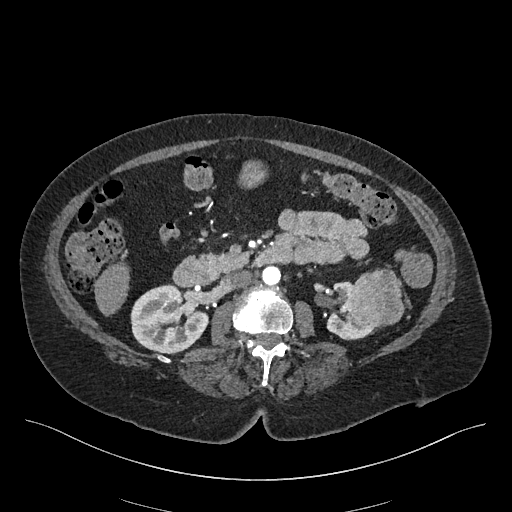
Abdominal CT with intravenous contrast, arterial phase, axial plane, 120 kVp, kernel I26f. Slice 242/548 from the bottom of the scan; thickness 1.00 mm; pixel size 0.852 mm.
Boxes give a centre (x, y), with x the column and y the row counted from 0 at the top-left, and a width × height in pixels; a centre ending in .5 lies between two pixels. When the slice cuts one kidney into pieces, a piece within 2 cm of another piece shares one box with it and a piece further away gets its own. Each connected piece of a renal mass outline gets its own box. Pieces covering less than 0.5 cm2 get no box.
Boxed on this slice (two kidney boxes and one renal mass box), listed by box centre from the image's left to its right: (1) Right kidney, box centre (169, 319), 79 × 71 pixels (outlined area 4,050 px, about 29.4 cm2). (2) Box centre (352.5, 310.5), 54 × 60 pixels: left kidney (outlined area 1,328 px, about 9.6 cm2). (3) Left renal mass in a box with centre (374, 297.5), 63 × 60 pixels (outlined area 2,808 px, about 20.4 cm2).